Axial slice 334 of 723 of a contrast-enhanced abdominal CT in the arterial phase (slice 1 is the lowest), 120 kVp, kernel B30f; 1.00 mm slice thickness and 0.895 mm pixels.
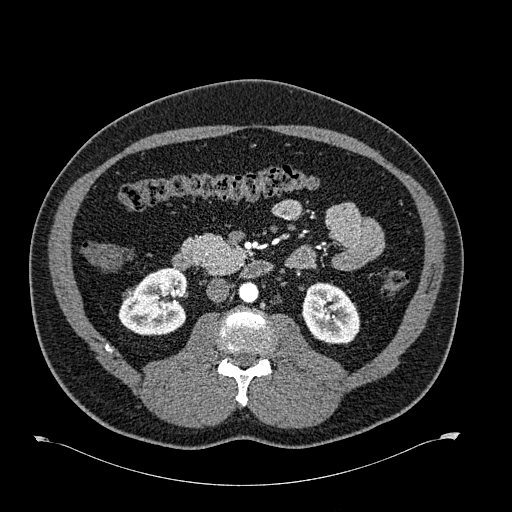
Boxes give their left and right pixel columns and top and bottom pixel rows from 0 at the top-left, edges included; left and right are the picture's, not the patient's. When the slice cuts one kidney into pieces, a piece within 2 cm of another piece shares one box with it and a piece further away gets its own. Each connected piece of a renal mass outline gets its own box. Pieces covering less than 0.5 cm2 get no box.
Three boxes on this slice (two kidney boxes and one renal mass box), listed by box centre from the image's left to its right. (1) Right renal mass, the box with left 122, top 287, right 135, bottom 299 (outlined area 117 px, about 0.9 cm2). (2) Right kidney in the box with left 118, top 267, right 187, bottom 335 (outlined area 3,530 px, about 28.2 cm2). (3) Left kidney, the box with left 301, top 282, right 360, bottom 344 (outlined area 2,807 px, about 22.5 cm2).